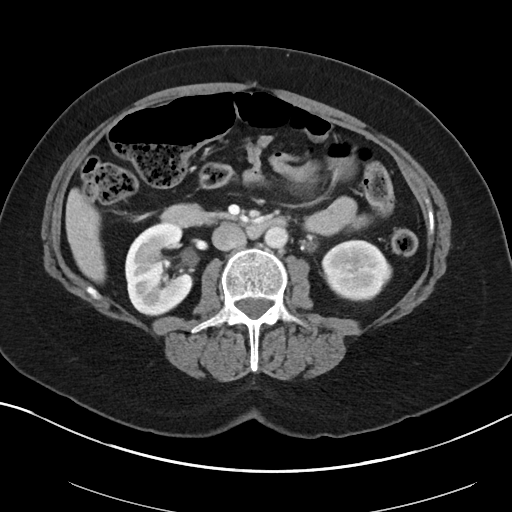
Abdominal CT with intravenous contrast, arterial phase, axial plane, 100 kVp, kernel I40f. Slice 52/88 from the bottom of the scan; thickness 5.00 mm; pixel size 0.705 mm.
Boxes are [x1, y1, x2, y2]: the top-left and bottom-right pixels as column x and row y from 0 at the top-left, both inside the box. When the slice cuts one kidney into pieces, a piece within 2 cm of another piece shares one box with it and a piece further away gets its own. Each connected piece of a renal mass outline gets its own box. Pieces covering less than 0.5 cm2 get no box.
Two boxes on this slice (two kidney boxes), listed by box centre from the image's left to its right. (1) Box [125, 223, 193, 316]: right kidney (outlined area 4,812 px, about 23.9 cm2). (2) Left kidney, box [321, 239, 392, 301] (outlined area 3,339 px, about 16.6 cm2). No renal mass outline on this slice.